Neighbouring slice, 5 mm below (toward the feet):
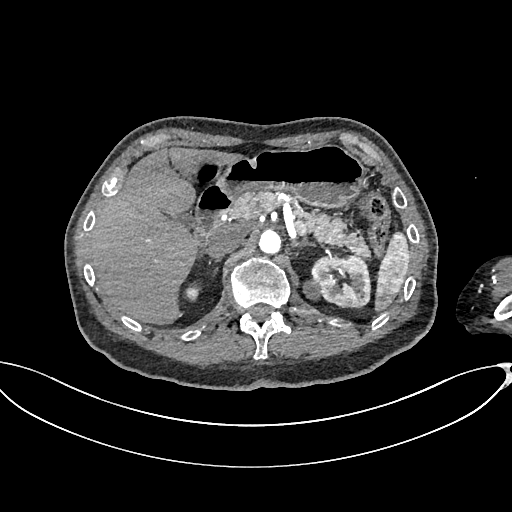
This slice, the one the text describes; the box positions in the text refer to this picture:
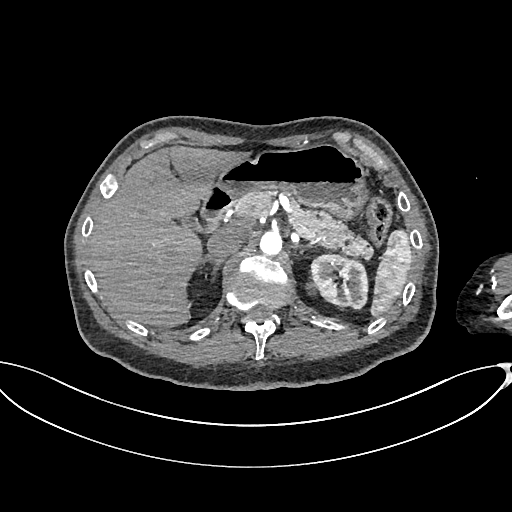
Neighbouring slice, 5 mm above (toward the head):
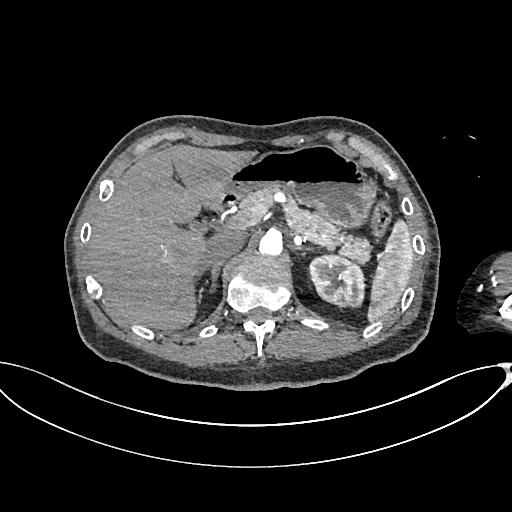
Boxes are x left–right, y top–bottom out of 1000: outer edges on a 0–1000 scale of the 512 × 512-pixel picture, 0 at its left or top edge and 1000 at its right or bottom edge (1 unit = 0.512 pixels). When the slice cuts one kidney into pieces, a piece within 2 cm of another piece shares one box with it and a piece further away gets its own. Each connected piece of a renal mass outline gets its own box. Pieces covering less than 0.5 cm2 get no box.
This is axial slice 471 of 665 (slice 1 is the lowest) of an arterial-phase abdominal CT with contrast; each pixel is 0.828 mm and the slice is 1.00 mm thick. One kidney box and one renal mass box on this slice; by box centre, from the image's left to its right: (1) Left renal mass at x 596–623, y 549–578 out of 1000 (outlined area 139 px, about 1.0 cm2). (2) Left kidney at x 605–719, y 494–604 out of 1000 (outlined area 2,473 px, about 17.0 cm2). This slice is near the end of the left renal mass toward the head, so the slices 5 mm below and 5 mm above it are shown as well; the boxes refer to this slice only.
Tube voltage 100 kVp; convolution kernel I26f.